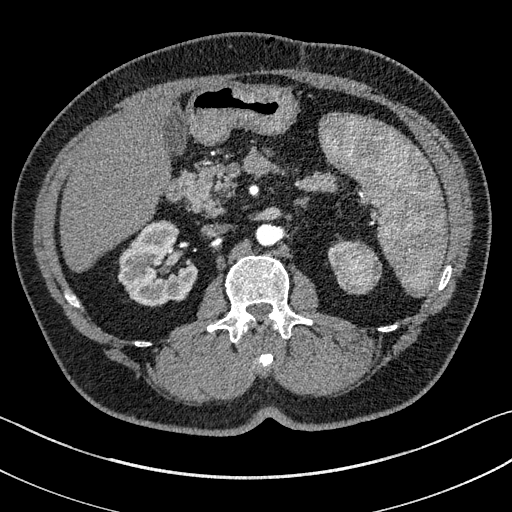
Axial slice 93 of 195 of a contrast-enhanced abdominal CT in the arterial phase (slice 1 is the lowest), 100 kVp, kernel I31f; 1.50 mm slice thickness and 0.707 mm pixels.
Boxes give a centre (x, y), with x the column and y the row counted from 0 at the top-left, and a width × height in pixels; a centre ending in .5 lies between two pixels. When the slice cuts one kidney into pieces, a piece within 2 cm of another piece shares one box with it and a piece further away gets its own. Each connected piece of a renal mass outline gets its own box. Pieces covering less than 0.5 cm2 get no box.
Three boxes on this slice (two kidney boxes and one renal mass box), listed by box centre from the image's left to its right. (1) Right kidney in a box with centre (157.5, 263), 80 × 87 pixels (outlined area 4,607 px, about 23.0 cm2). (2) Left kidney in a box with centre (342.5, 253.5), 30 × 28 pixels (outlined area 259 px, about 1.3 cm2). (3) Box centre (357, 268), 49 × 53 pixels: left renal mass (outlined area 1,878 px, about 9.4 cm2).